Arterial-phase contrast-enhanced abdominal CT, axial slice 132 of 470 (counted from the lowest slice); tube voltage 120 kVp, convolution kernel I26f; slices 1.00 mm thick, 0.938 mm per pixel.
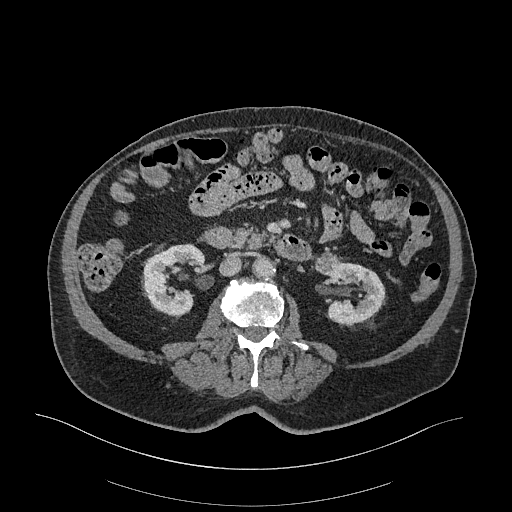
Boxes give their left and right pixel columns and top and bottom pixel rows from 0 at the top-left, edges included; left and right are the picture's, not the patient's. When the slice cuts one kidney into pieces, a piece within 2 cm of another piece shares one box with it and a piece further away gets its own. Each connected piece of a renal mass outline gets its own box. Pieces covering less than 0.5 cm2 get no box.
Boxed on this slice (two kidney boxes and one renal mass box), listed by box centre from the image's left to its right: (1) Right kidney in the box with left 142, top 243, right 205, bottom 317 (outlined area 3,107 px, about 27.3 cm2). (2) Box with left 311, top 253, right 339, bottom 276: left renal mass (outlined area 493 px, about 4.3 cm2). (3) Left kidney in the box with left 316, top 259, right 385, bottom 324 (outlined area 2,885 px, about 25.4 cm2).